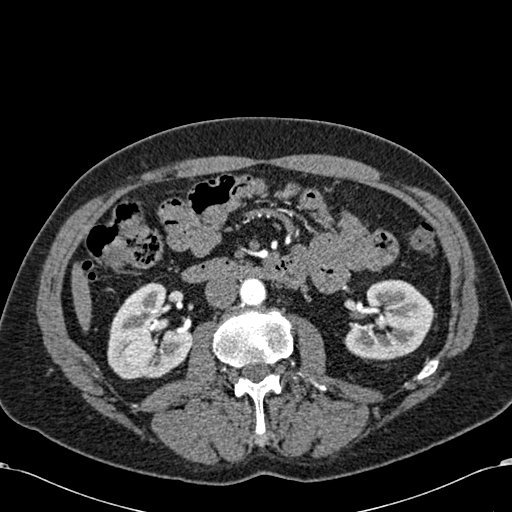
Axial slice 324 of 581 of a contrast-enhanced abdominal CT in the arterial phase (slice 1 is the lowest), 120 kVp, kernel B30f; 1.00 mm slice thickness and 0.713 mm pixels.
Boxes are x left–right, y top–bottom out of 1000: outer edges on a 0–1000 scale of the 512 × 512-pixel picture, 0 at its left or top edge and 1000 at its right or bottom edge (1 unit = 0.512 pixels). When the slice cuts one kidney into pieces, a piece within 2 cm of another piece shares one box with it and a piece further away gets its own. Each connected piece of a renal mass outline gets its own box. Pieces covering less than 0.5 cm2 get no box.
Two boxes on this slice (two kidney boxes), listed by box centre from the image's left to its right. (1) Right kidney, box x 209–377, y 551–742 out of 1000 (outlined area 5,855 px, about 29.8 cm2). (2) Box x 670–848, y 545–705 out of 1000: left kidney (outlined area 5,191 px, about 26.4 cm2). This slice carries no renal mass outline.